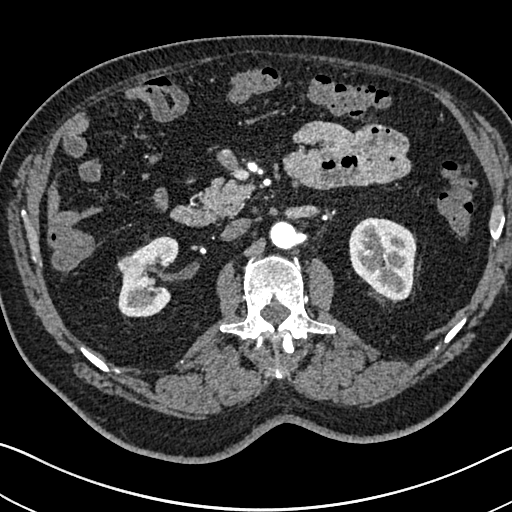
One axial slice (427 of 705, counting up from the lowest) of an arterial-phase abdominal CT acquired with 120 kVp, kernel I30f; each pixel is 0.703 mm and the slice is 1.00 mm thick.
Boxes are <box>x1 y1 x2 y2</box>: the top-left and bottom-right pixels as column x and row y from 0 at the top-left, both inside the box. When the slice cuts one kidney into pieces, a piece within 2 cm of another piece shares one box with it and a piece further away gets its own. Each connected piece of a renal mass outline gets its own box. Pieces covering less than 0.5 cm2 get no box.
Boxed on this slice (two kidney boxes and one renal mass box), listed by box centre from the image's left to its right: (1) Right renal mass at <box>117 255 137 272</box> (outlined area 288 px, about 1.4 cm2). (2) Right kidney at <box>117 236 179 317</box> (outlined area 3,325 px, about 16.4 cm2). (3) Left kidney: <box>349 217 416 301</box> (outlined area 4,403 px, about 21.8 cm2).